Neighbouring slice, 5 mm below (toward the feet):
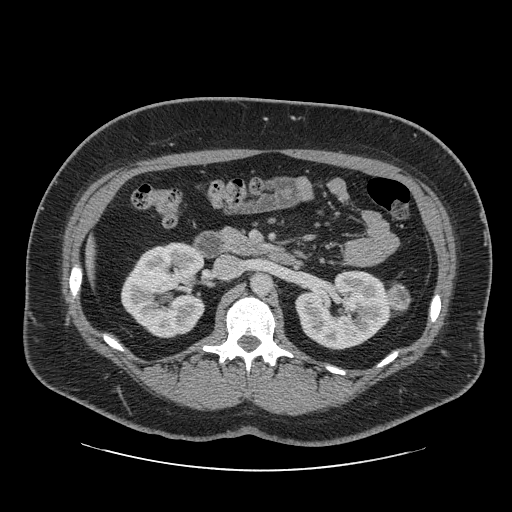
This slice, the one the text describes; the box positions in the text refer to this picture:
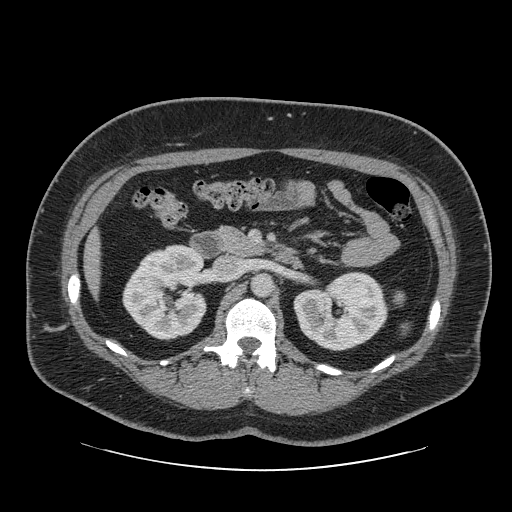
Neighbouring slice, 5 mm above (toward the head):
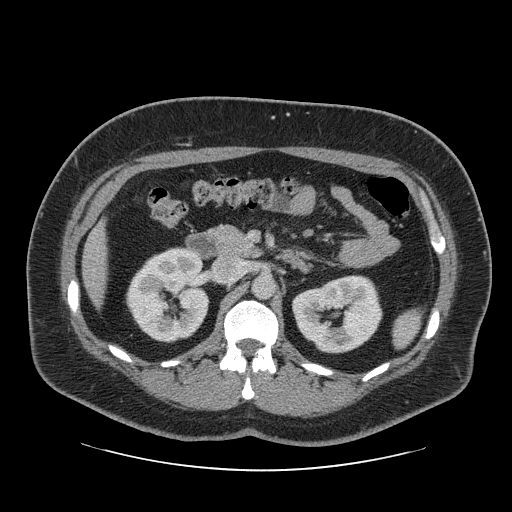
One axial slice (40 of 69, counting up from the lowest) of an arterial-phase abdominal CT acquired with 120 kVp, kernel STANDARD; each pixel is 0.846 mm and the slice is 2.50 mm thick.
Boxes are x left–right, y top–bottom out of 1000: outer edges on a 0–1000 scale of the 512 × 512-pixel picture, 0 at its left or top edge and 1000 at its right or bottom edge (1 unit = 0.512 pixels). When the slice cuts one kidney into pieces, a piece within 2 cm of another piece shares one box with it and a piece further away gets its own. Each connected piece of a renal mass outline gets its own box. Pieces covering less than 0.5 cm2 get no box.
Two kidney boxes and one renal mass box on this slice; by box centre, from the image's left to its right: (1) Right kidney at x 238–404, y 477–666 out of 1000 (outlined area 6,163 px, about 44.1 cm2). (2) Left kidney, box x 572–760, y 529–688 out of 1000 (outlined area 5,459 px, about 39.0 cm2). (3) Left renal mass, box x 768–785, y 568–600 out of 1000 (outlined area 104 px, about 0.7 cm2). This slice is near the end of the left renal mass toward the head, so the slices 5 mm below and 5 mm above it are shown as well; the boxes refer to this slice only.